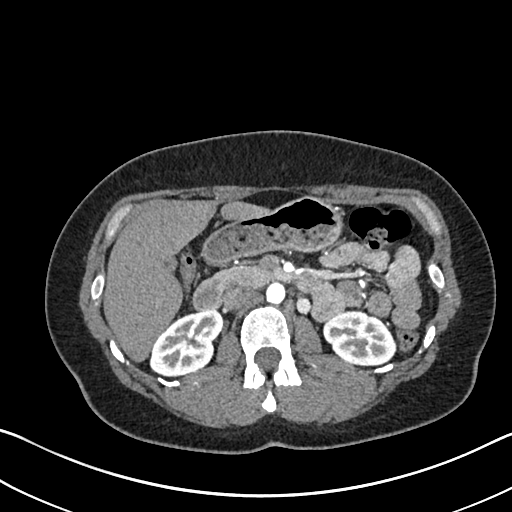
Axial slice 413 of 612 of a contrast-enhanced abdominal CT in the arterial phase (slice 1 is the lowest), 120 kVp, kernel I30f; 1.00 mm slice thickness and 0.703 mm pixels.
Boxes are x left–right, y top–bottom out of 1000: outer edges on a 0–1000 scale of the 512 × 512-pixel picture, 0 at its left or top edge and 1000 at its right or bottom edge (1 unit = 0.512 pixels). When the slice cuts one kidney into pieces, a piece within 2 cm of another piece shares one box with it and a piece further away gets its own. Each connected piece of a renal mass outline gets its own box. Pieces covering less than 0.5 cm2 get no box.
Two boxes on this slice (two kidney boxes), listed by box centre from the image's left to its right. (1) Right kidney at x 291–438, y 604–738 out of 1000 (outlined area 3,468 px, about 17.1 cm2). (2) Left kidney at x 629–775, y 604–715 out of 1000 (outlined area 3,129 px, about 15.5 cm2). No renal mass is outlined on this slice.